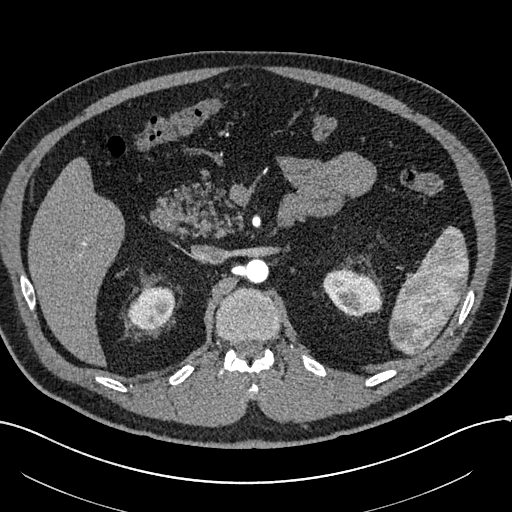
Abdominal CT with intravenous contrast, arterial phase, axial plane, 120 kVp, kernel I30f. Slice 404/602 from the bottom of the scan; thickness 1.00 mm; pixel size 0.799 mm.
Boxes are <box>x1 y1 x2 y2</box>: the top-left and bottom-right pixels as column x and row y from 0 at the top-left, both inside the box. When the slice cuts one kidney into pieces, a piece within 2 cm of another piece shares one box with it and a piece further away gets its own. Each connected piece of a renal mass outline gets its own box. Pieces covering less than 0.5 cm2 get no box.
Two kidney boxes on this slice; by box centre, from the image's left to its right: (1) Right kidney at <box>128 286 174 330</box> (outlined area 1,598 px, about 10.2 cm2). (2) Left kidney: <box>322 269 381 316</box> (outlined area 2,042 px, about 13.0 cm2). This slice carries no renal mass outline.